Contrast-enhanced abdominal CT, axial slice 519 of 834 (counted from the lowest slice); tube voltage 140 kVp, convolution kernel I30f; slices 1.00 mm thick, 0.977 mm per pixel.
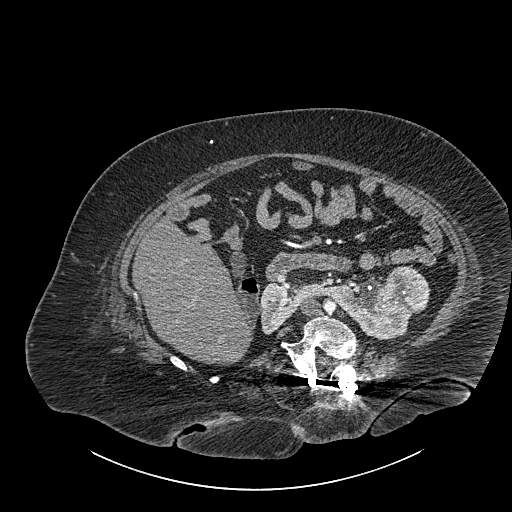
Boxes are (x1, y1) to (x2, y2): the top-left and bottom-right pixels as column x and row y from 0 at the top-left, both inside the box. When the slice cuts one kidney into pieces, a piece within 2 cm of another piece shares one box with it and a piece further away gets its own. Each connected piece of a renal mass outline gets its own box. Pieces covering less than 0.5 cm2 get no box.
Two boxes on this slice (one kidney box and one renal mass box), listed by box centre from the image's left to its right. (1) Kidney crossing the body midline from (260, 281) to (412, 339) (outlined area 4,596 px, about 43.8 cm2). (2) Renal mass from (383, 266) to (429, 313) (outlined area 1,821 px, about 17.4 cm2).